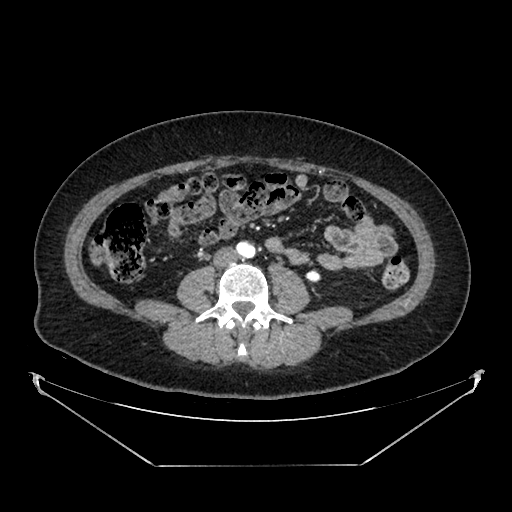
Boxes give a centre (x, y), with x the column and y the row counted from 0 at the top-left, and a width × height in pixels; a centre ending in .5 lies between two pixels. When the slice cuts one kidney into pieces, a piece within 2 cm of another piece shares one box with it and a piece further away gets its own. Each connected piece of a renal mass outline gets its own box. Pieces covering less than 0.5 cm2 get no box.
This is axial slice 182 of 383 (slice 1 is the lowest) of an arterial-phase abdominal CT with contrast; each pixel is 0.898 mm and the slice is 1.25 mm thick. Box centre (312.5, 275.5), 16 × 14 pixels: left kidney (outlined area 166 px, about 1.3 cm2). This slice carries no renal mass outline.
Acquired at 100 kVp and reconstructed with the SOFT kernel.